Abdominal CT with intravenous contrast, arterial phase, axial plane, 100 kVp, kernel SOFT. Slice 200/383 from the bottom of the scan; thickness 1.25 mm; pixel size 0.898 mm.
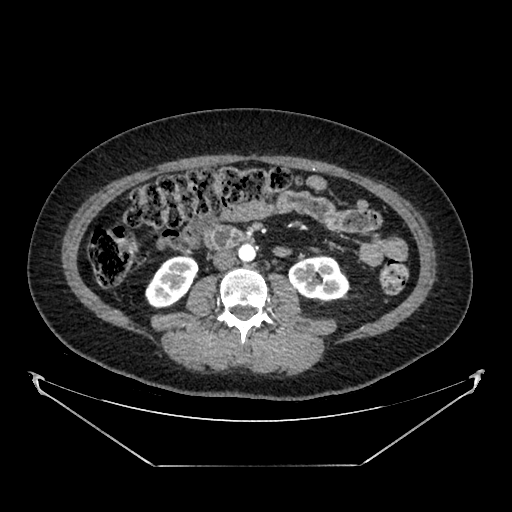
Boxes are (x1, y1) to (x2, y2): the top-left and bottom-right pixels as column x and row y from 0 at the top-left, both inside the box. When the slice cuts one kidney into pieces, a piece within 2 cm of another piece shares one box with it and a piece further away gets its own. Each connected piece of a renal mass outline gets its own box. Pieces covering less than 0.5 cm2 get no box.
Two boxes on this slice (two kidney boxes), listed by box centre from the image's left to its right. (1) Box (145, 255) to (197, 308): right kidney (outlined area 1,944 px, about 15.7 cm2). (2) Left kidney from (288, 255) to (349, 300) (outlined area 2,130 px, about 17.2 cm2). No renal mass is outlined on this slice.